Abdominal CT with intravenous contrast, arterial phase, axial plane, 120 kVp, kernel I26f. Slice 727/987 from the bottom of the scan; thickness 1.00 mm; pixel size 0.977 mm.
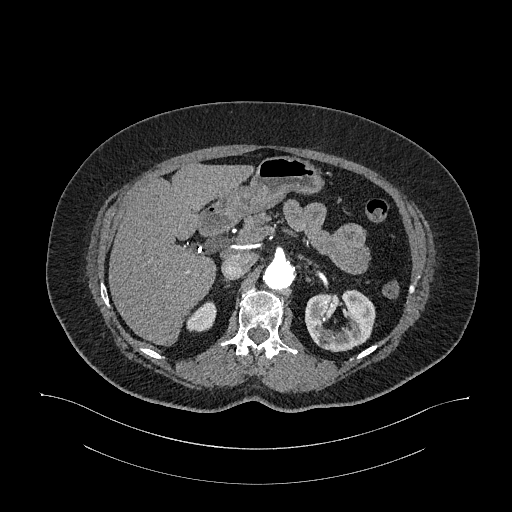
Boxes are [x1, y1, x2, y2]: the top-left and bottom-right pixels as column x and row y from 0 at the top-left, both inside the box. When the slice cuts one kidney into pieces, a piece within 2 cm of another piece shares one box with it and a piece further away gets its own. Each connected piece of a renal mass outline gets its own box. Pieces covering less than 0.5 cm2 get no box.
Two kidney boxes on this slice; by box centre, from the image's left to its right: (1) Box [186, 301, 216, 332]: right kidney (outlined area 694 px, about 6.6 cm2). (2) Left kidney at [305, 289, 375, 352] (outlined area 3,236 px, about 30.9 cm2). This slice carries no renal mass outline.